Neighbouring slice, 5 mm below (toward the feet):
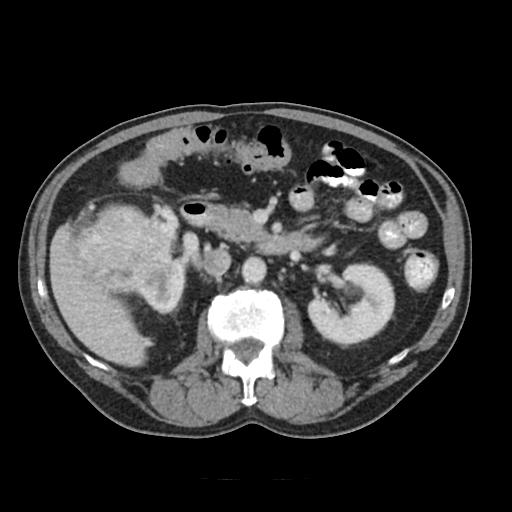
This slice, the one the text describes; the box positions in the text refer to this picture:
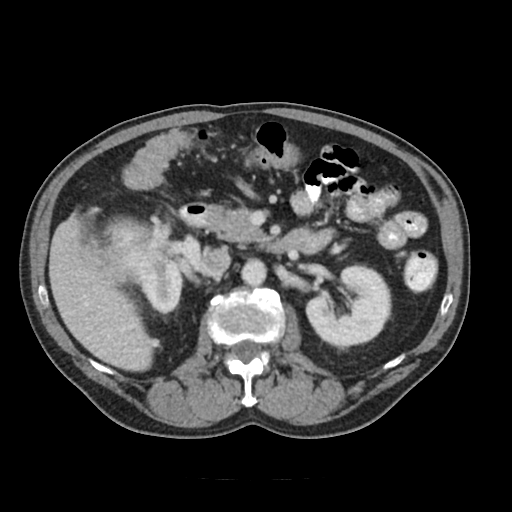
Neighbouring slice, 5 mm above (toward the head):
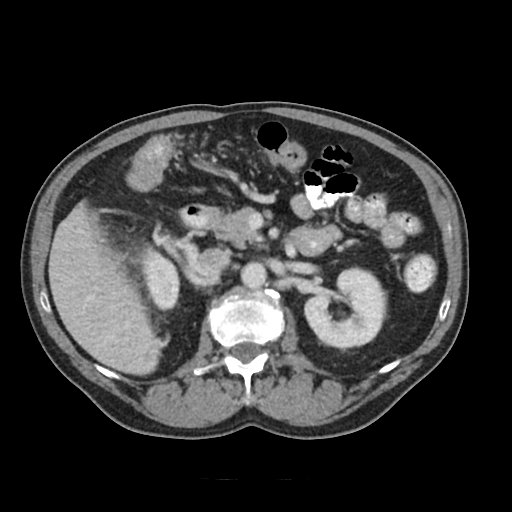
Abdominal CT with intravenous contrast, axial plane, 120 kVp, kernel FC18. Slice 63/91 from the bottom of the scan; thickness 5.00 mm; pixel size 0.766 mm.
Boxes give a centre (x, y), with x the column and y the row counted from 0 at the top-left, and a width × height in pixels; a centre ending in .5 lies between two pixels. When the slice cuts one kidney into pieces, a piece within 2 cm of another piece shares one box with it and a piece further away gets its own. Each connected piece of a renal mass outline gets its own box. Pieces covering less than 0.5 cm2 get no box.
Boxed on this slice (two kidney boxes and one renal mass box), listed by box centre from the image's left to its right: (1) Right renal mass in a box with centre (134.5, 249), 68 × 67 pixels (outlined area 3,084 px, about 18.1 cm2). (2) Box centre (159.5, 286), 46 × 57 pixels: right kidney (outlined area 1,565 px, about 9.2 cm2). (3) Left kidney in a box with centre (348.5, 308.5), 88 × 88 pixels (outlined area 5,166 px, about 30.3 cm2). This slice lies near the end of the right renal mass toward the head; the slices 5 mm below and 5 mm above it are shown too, and the boxes mark positions on this slice only.